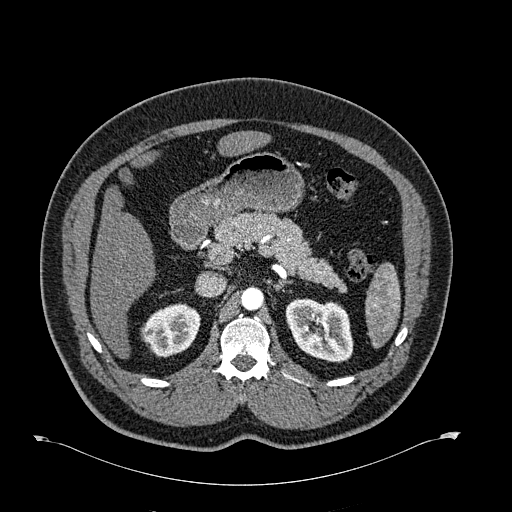
Arterial-phase contrast-enhanced abdominal CT, axial slice 431 of 723 (counted from the lowest slice); tube voltage 120 kVp, convolution kernel B30f; slices 1.00 mm thick, 0.895 mm per pixel.
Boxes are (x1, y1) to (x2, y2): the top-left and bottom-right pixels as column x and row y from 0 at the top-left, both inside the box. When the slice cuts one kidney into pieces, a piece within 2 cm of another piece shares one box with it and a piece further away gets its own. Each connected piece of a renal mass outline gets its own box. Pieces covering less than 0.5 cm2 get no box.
Two kidney boxes on this slice; by box centre, from the image's left to its right: (1) Right kidney, box (140, 302) to (200, 357) (outlined area 2,399 px, about 19.2 cm2). (2) Box (285, 298) to (353, 362): left kidney (outlined area 3,384 px, about 27.1 cm2). No renal mass outline on this slice.